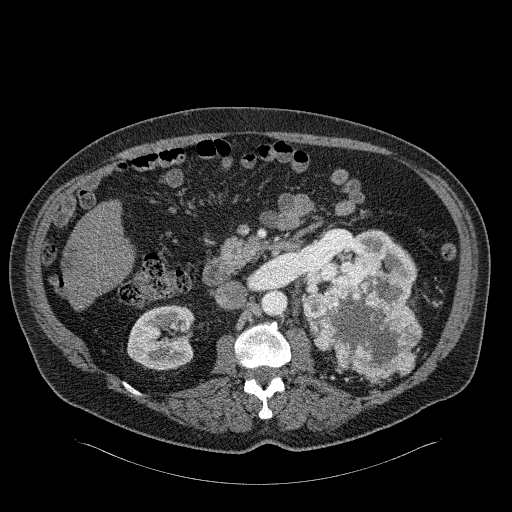
One axial slice (124 of 326, counting up from the lowest) of an arterial-phase abdominal CT acquired with 120 kVp, kernel B31f; each pixel is 0.963 mm and the slice is 2.00 mm thick.
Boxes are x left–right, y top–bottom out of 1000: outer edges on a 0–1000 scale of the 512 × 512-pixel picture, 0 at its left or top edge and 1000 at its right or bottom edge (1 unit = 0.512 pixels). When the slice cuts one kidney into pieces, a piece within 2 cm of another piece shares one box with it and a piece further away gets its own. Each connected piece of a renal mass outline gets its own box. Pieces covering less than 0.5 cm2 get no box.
Three boxes on this slice (two kidney boxes and one renal mass box), listed by box centre from the image's left to its right. (1) Right kidney at x 248–381, y 594–725 out of 1000 (outlined area 3,570 px, about 33.1 cm2). (2) Box x 592–816, y 447–592 out of 1000: left kidney (outlined area 3,489 px, about 32.3 cm2). (3) Left renal mass at x 590–826, y 494–746 out of 1000 (outlined area 9,250 px, about 85.8 cm2).